One axial slice (68 of 114, counting up from the lowest) of an arterial-phase abdominal CT acquired with 120 kVp, kernel B31f; each pixel is 0.781 mm and the slice is 5.00 mm thick.
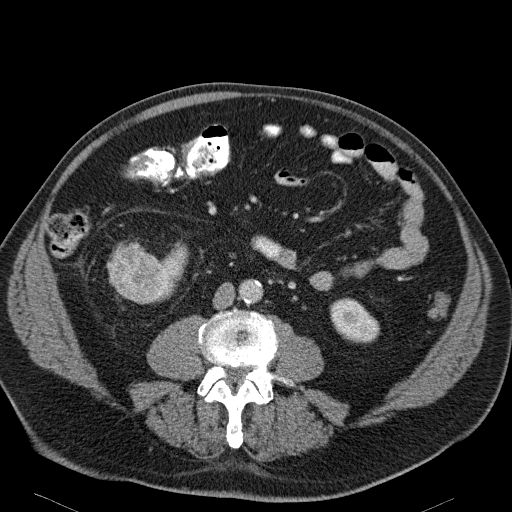
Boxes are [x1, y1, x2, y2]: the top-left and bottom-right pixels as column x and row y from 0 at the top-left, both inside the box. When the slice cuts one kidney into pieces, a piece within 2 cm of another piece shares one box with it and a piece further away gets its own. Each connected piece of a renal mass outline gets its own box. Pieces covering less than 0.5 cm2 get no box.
Boxed on this slice (two kidney boxes and one renal mass box), listed by box centre from the image's left to its right: (1) Box [108, 247, 171, 304]: right renal mass (outlined area 2,798 px, about 17.1 cm2). (2) Box [160, 242, 189, 299]: right kidney (outlined area 750 px, about 4.6 cm2). (3) Box [330, 297, 379, 343]: left kidney (outlined area 1,656 px, about 10.1 cm2).